Arterial-phase contrast-enhanced abdominal CT, axial slice 108 of 326 (counted from the lowest slice); tube voltage 120 kVp, convolution kernel B31f; slices 2.00 mm thick, 0.963 mm per pixel.
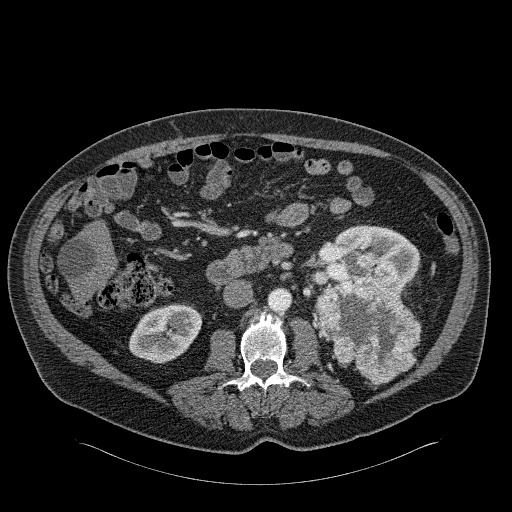
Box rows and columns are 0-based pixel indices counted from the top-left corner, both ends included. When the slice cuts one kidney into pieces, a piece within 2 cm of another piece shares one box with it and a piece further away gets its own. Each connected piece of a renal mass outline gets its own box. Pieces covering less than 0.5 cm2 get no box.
Boxed on this slice (two kidney boxes and one renal mass box), listed by box centre from the image's left to its right: (1) Box rows 303–363, columns 129–201: right kidney (outlined area 3,179 px, about 29.5 cm2). (2) Box rows 251–384, columns 315–421: left renal mass (outlined area 8,572 px, about 79.5 cm2). (3) Box rows 225–295, columns 319–419: left kidney (outlined area 4,162 px, about 38.6 cm2).